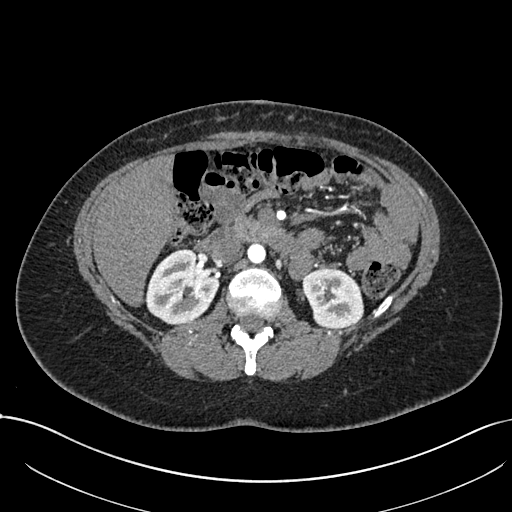
Arterial-phase contrast-enhanced abdominal CT, axial slice 428 of 738 (counted from the lowest slice); tube voltage 120 kVp, convolution kernel I30f; slices 1.00 mm thick, 0.789 mm per pixel.
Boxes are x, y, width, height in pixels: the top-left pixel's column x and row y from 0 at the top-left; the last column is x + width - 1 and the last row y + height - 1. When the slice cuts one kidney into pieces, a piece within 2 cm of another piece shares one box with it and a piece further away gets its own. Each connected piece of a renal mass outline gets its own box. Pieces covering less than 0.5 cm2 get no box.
Two boxes on this slice (two kidney boxes), listed by box centre from the image's left to its right. (1) Right kidney at x 145, y 248, width 75, height 77 (outlined area 4,085 px, about 25.4 cm2). (2) Left kidney, box x 302, y 268, width 62, height 61 (outlined area 2,935 px, about 18.3 cm2). This slice carries no renal mass outline.